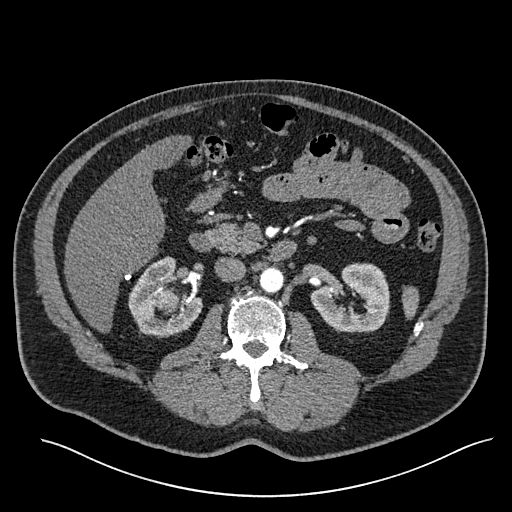
Arterial-phase contrast-enhanced abdominal CT, axial slice 331 of 527 (counted from the lowest slice); tube voltage 120 kVp, convolution kernel I30f; slices 1.00 mm thick, 0.859 mm per pixel.
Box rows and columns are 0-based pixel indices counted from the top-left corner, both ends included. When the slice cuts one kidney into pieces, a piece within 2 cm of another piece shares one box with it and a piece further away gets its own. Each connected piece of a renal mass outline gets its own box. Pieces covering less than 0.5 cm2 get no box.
Three boxes on this slice (two kidney boxes and one renal mass box), listed by box centre from the image's left to its right. (1) Box rows 256–338, columns 128–202: right kidney (outlined area 3,506 px, about 25.9 cm2). (2) Box rows 288–314, columns 154–179: right renal mass (outlined area 534 px, about 3.9 cm2). (3) Left kidney at rows 263–332, columns 310–389 (outlined area 3,904 px, about 28.8 cm2).